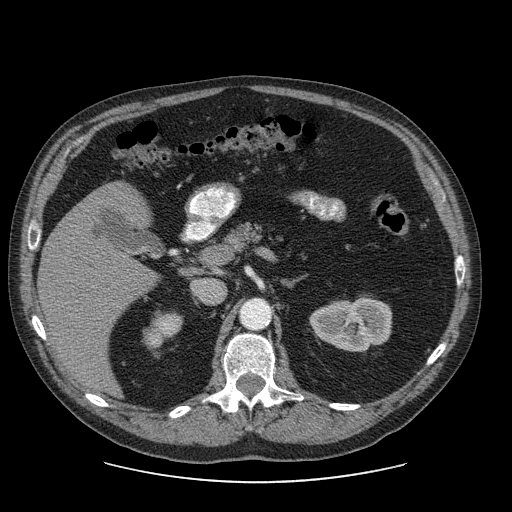
Abdominal CT with intravenous contrast, axial plane, 120 kVp, kernel STANDARD. Slice 55/103 from the bottom of the scan; thickness 2.50 mm; pixel size 0.820 mm.
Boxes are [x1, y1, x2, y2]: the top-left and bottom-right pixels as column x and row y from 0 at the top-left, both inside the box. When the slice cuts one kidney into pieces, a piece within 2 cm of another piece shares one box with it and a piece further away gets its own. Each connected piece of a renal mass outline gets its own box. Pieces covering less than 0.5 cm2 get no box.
Two boxes on this slice (two kidney boxes), listed by box centre from the image's left to its right. (1) Box [148, 312, 181, 341]: right kidney (outlined area 775 px, about 5.2 cm2). (2) Left kidney at [309, 294, 392, 351] (outlined area 3,521 px, about 23.7 cm2). This slice carries no renal mass outline.